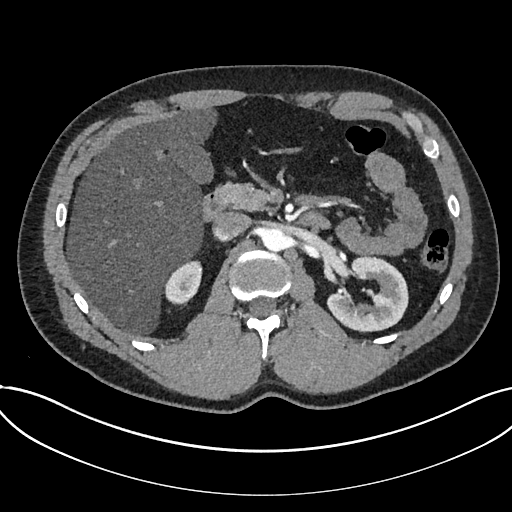
Axial slice 461 of 735 of a contrast-enhanced abdominal CT in the arterial phase (slice 1 is the lowest), 120 kVp, kernel I30f; 1.00 mm slice thickness and 0.789 mm pixels.
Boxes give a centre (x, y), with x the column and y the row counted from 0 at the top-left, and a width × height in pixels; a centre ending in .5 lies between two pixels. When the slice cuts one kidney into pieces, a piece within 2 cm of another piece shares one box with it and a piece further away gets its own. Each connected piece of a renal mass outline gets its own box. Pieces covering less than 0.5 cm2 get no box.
Boxed on this slice (two kidney boxes), listed by box centre from the image's left to its right: (1) Box centre (182.5, 282.5), 40 × 46 pixels: kidney (outlined area 1,250 px, about 7.8 cm2). (2) Kidney, box centre (367, 294), 83 × 77 pixels (outlined area 4,182 px, about 26.0 cm2). No renal mass outline on this slice.